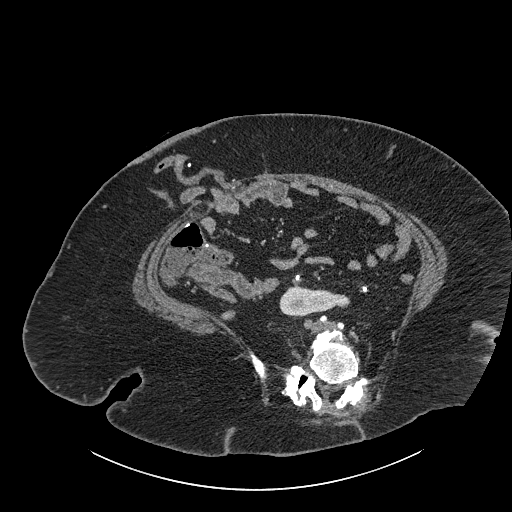
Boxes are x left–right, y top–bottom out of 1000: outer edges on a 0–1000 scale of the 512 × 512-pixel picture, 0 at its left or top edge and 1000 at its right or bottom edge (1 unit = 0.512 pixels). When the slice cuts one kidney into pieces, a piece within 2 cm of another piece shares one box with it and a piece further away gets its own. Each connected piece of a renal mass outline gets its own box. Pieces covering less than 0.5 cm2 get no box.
This is axial slice 397 of 834 (slice 1 is the lowest) of an abdominal CT with contrast; each pixel is 0.977 mm and the slice is 1.00 mm thick. Box x 545–686, y 557–623 out of 1000: right part of the midline-crossing kidney (outlined area 1,558 px, about 14.9 cm2). No renal mass is outlined on this slice.
Tube voltage 140 kVp; convolution kernel I30f.